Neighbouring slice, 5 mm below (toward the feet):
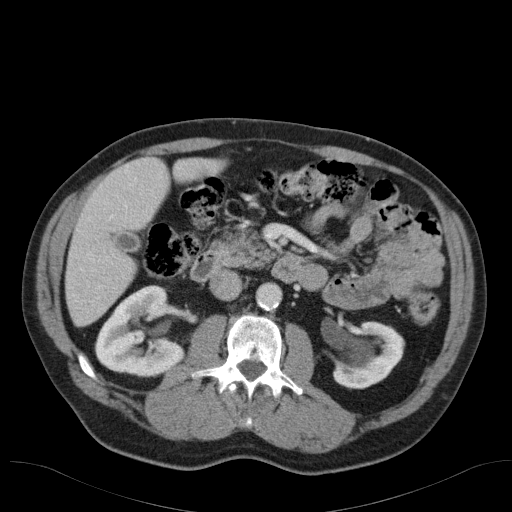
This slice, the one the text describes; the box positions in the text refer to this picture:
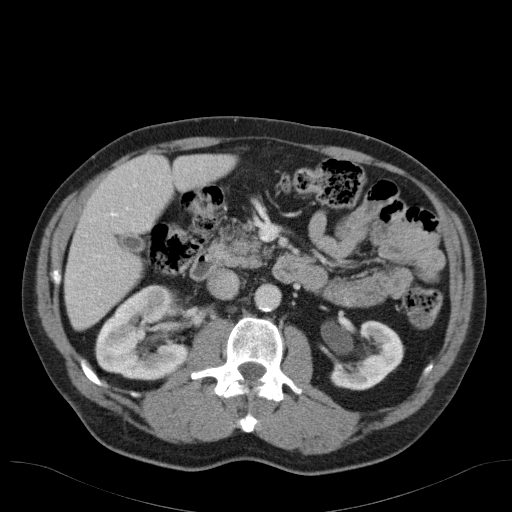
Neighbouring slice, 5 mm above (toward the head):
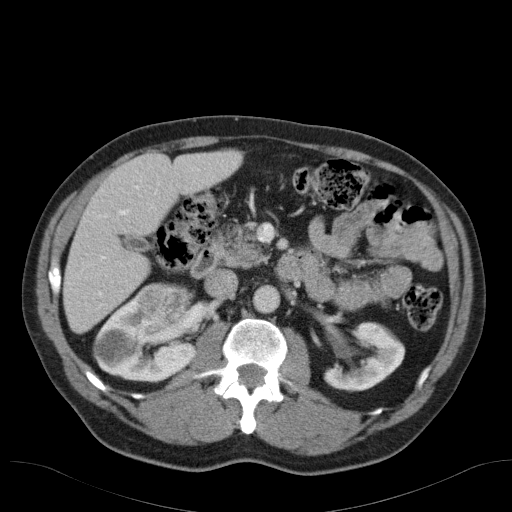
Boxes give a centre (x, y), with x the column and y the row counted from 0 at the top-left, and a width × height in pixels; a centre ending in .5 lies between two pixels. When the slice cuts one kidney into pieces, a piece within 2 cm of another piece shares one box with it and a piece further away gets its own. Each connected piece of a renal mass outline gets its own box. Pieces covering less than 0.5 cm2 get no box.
Arterial-phase contrast-enhanced abdominal CT, axial slice 67 of 98 (counted from the lowest slice); 5.00 mm thick, 0.764 mm per pixel. Boxed on this slice (two kidney boxes and one renal mass box), listed by box centre from the image's left to its right: (1) Box centre (142.5, 332), 98 × 97 pixels: right kidney (outlined area 6,025 px, about 35.1 cm2). (2) Box centre (153, 302), 27 × 27 pixels: right renal mass (outlined area 564 px, about 3.3 cm2). (3) Box centre (366.5, 355), 76 × 71 pixels: left kidney (outlined area 3,248 px, about 18.9 cm2). This slice is near the end of the right renal mass toward the feet, so the slices 5 mm below and 5 mm above it are shown as well; the boxes refer to this slice only.
Acquired at 120 kVp and reconstructed with the B31f kernel.